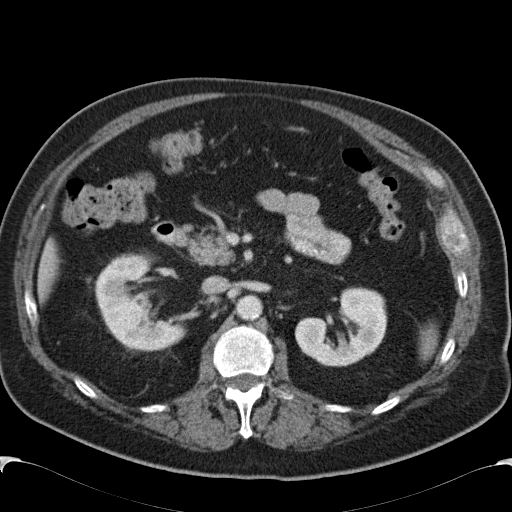
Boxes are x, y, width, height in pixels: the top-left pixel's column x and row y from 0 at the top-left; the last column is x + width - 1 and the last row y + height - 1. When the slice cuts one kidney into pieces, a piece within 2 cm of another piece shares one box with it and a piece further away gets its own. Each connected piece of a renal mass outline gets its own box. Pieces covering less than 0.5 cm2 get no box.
Contrast-enhanced abdominal CT, axial slice 73 of 99 (counted from the lowest slice); 5.00 mm thick, 0.742 mm per pixel. Boxed on this slice (two kidney boxes), listed by box centre from the image's left to its right: (1) Right kidney, box x 94, y 253, width 94, height 99 (outlined area 5,593 px, about 30.8 cm2). (2) Left kidney at x 295, y 287, width 93, height 80 (outlined area 4,879 px, about 26.9 cm2). No renal mass is outlined on this slice.
Acquired at 120 kVp and reconstructed with the B31f kernel.